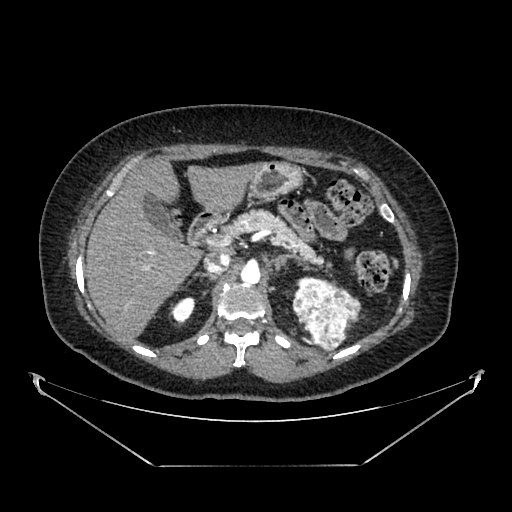
Axial slice 265 of 383 of a contrast-enhanced abdominal CT in the arterial phase (slice 1 is the lowest), 100 kVp, kernel SOFT; 1.25 mm slice thickness and 0.898 mm pixels.
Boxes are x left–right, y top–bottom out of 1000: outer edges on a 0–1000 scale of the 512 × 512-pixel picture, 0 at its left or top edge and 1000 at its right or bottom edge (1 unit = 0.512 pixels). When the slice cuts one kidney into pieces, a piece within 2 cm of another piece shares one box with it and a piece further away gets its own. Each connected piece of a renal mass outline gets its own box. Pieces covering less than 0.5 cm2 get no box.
Boxed on this slice (two kidney boxes and one renal mass box), listed by box centre from the image's left to its right: (1) Right kidney at x 334–383, y 580–631 out of 1000 (outlined area 451 px, about 3.6 cm2). (2) Left kidney, box x 578–607, y 541–563 out of 1000 (outlined area 70 px, about 0.6 cm2). (3) Box x 570–707, y 541–688 out of 1000: left renal mass (outlined area 3,434 px, about 27.7 cm2).